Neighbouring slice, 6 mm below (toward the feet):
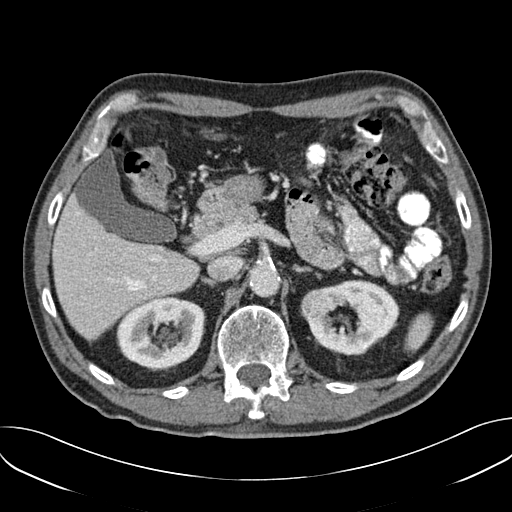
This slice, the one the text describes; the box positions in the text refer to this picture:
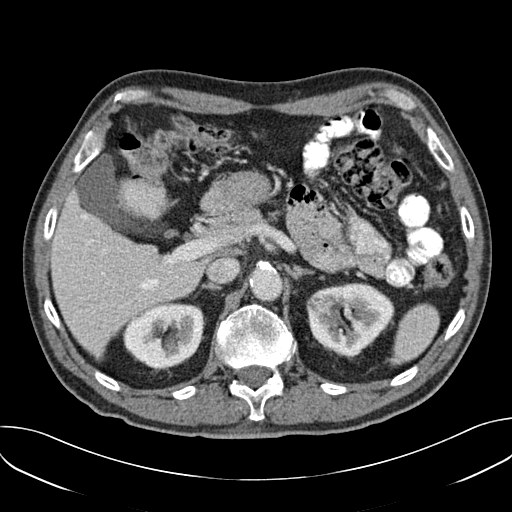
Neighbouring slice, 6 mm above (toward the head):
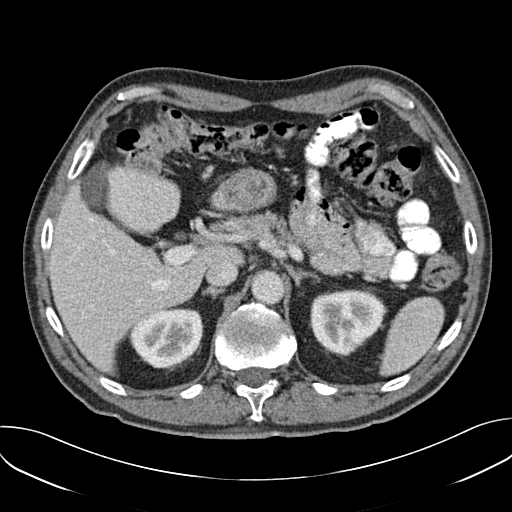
Abdominal CT with intravenous contrast, arterial phase, axial plane, 120 kVp, kernel B30f. Slice 115/157 from the bottom of the scan; thickness 3.00 mm; pixel size 0.742 mm.
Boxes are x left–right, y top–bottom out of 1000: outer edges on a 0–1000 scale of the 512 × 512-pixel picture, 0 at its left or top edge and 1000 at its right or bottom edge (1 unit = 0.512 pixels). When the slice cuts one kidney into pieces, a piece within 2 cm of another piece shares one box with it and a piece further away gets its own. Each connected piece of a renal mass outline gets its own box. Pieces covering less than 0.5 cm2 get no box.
Boxed on this slice (two kidney boxes and one renal mass box), listed by box centre from the image's left to its right: (1) Box x 240–400, y 590–721 out of 1000: right kidney (outlined area 4,216 px, about 23.2 cm2). (2) Box x 602–637, y 578–611 out of 1000: left renal mass (outlined area 233 px, about 1.3 cm2). (3) Box x 598–771, y 553–699 out of 1000: left kidney (outlined area 4,553 px, about 25.1 cm2). This slice is near the end of the left renal mass toward the head, so the slices 6 mm below and 6 mm above it are shown as well; the boxes refer to this slice only.